Axial slice 224 of 470 of a contrast-enhanced abdominal CT in the arterial phase (slice 1 is the lowest), 120 kVp, kernel I26f; 1.00 mm slice thickness and 0.938 mm pixels.
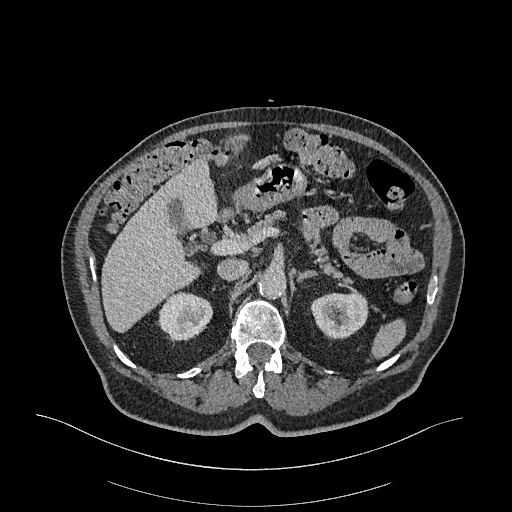
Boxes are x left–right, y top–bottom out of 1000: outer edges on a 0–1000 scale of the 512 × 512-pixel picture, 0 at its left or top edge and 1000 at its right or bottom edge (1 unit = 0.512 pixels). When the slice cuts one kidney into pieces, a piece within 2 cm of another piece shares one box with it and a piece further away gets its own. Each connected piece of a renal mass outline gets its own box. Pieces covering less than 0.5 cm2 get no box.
Two kidney boxes on this slice; by box centre, from the image's left to its right: (1) Right kidney, box x 311–416, y 570–666 out of 1000 (outlined area 2,027 px, about 17.8 cm2). (2) Left kidney, box x 605–721, y 570–664 out of 1000 (outlined area 2,147 px, about 18.9 cm2). No renal mass outline on this slice.